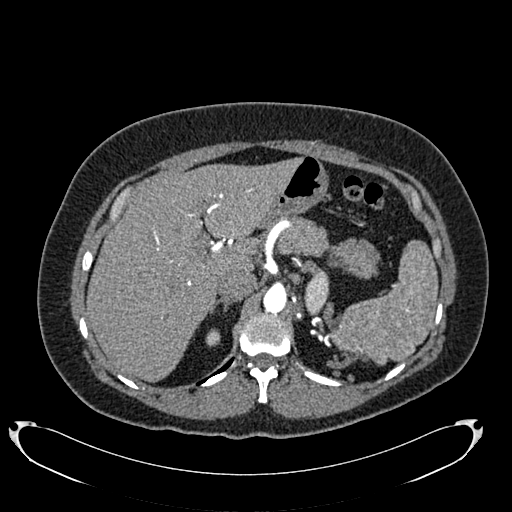
Axial slice 540 of 634 of a contrast-enhanced abdominal CT in the arterial phase (slice 1 is the lowest), 120 kVp, kernel B20f; 1.00 mm slice thickness and 0.838 mm pixels.
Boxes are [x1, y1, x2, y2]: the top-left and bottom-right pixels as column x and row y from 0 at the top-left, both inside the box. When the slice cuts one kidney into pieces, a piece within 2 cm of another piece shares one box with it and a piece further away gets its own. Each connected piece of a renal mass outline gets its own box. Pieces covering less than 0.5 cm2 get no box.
Boxed on this slice (two kidney boxes), listed by box centre from the image's left to its right: (1) Box [206, 329, 220, 346]: right kidney (outlined area 206 px, about 1.4 cm2). (2) Left kidney, box [304, 272, 329, 315] (outlined area 800 px, about 5.6 cm2). No renal mass is outlined on this slice.